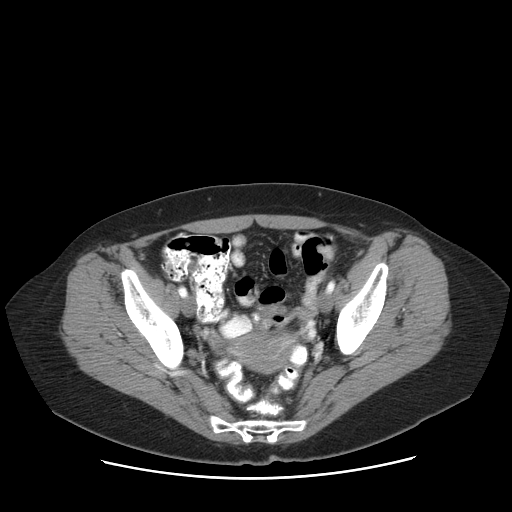
This is axial slice 19 of 83 (slice 1 is the lowest) of an arterial-phase abdominal CT with contrast; each pixel is 0.775 mm and the slice is 5.00 mm thick. Neither a kidney nor a renal mass is outlined here. Only kidneys and renal masses are outlined anywhere in this scan; other structures are never outlined.
Tube voltage 120 kVp; convolution kernel STANDARD.